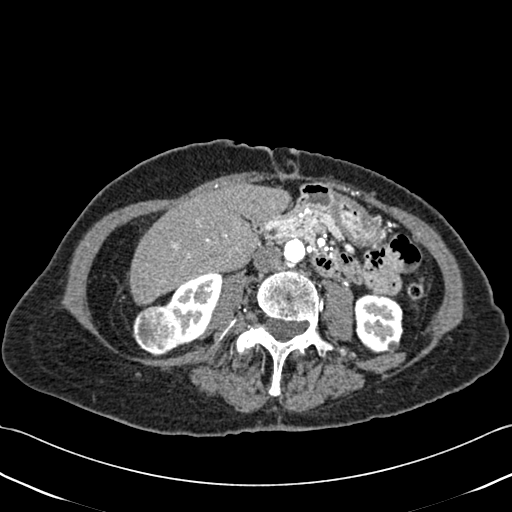
Axial slice 189 of 433 of a contrast-enhanced abdominal CT (slice 1 is the lowest), 120 kVp, kernel B30f; 1.00 mm slice thickness and 0.672 mm pixels.
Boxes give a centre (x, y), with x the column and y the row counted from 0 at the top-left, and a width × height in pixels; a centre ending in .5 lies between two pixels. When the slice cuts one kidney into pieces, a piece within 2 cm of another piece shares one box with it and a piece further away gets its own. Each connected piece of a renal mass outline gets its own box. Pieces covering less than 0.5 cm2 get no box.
Three boxes on this slice (two kidney boxes and one renal mass box), listed by box centre from the image's left to its right. (1) Right renal mass, box centre (155.5, 330), 46 × 53 pixels (outlined area 1,832 px, about 8.3 cm2). (2) Right kidney in a box with centre (192.5, 310.5), 58 × 76 pixels (outlined area 2,551 px, about 11.5 cm2). (3) Left kidney, box centre (378.5, 323), 50 × 61 pixels (outlined area 2,427 px, about 11.0 cm2).